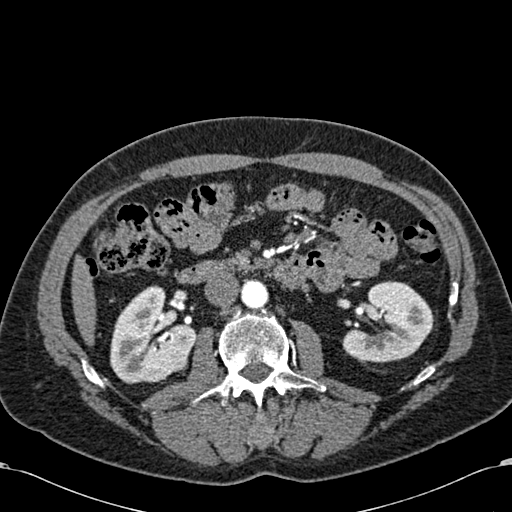
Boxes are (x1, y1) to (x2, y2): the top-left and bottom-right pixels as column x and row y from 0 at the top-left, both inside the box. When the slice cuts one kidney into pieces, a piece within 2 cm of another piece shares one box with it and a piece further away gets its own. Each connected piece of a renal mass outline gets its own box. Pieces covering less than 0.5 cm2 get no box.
Arterial-phase contrast-enhanced abdominal CT, axial slice 336 of 581 (counted from the lowest slice); 1.00 mm thick, 0.713 mm per pixel. Three boxes on this slice (two kidney boxes and one renal mass box), listed by box centre from the image's left to its right. (1) Right kidney from (110, 285) to (195, 383) (outlined area 5,727 px, about 29.1 cm2). (2) Box (166, 354) to (188, 372): right renal mass (outlined area 327 px, about 1.7 cm2). (3) Box (342, 281) to (434, 362): left kidney (outlined area 5,172 px, about 26.3 cm2).
Acquired at 120 kVp and reconstructed with the B30f kernel.